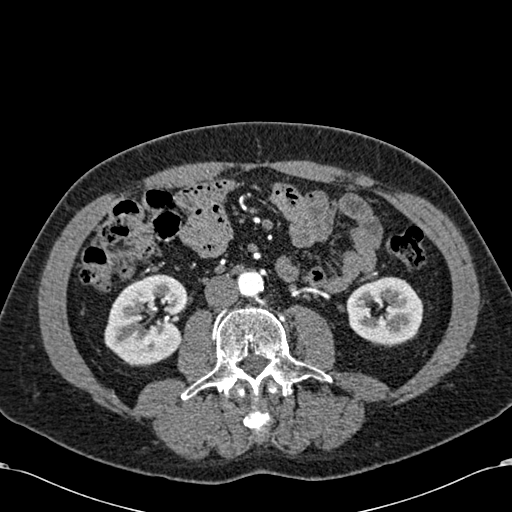
Arterial-phase contrast-enhanced abdominal CT, axial slice 274 of 581 (counted from the lowest slice); tube voltage 120 kVp, convolution kernel B30f; slices 1.00 mm thick, 0.713 mm per pixel.
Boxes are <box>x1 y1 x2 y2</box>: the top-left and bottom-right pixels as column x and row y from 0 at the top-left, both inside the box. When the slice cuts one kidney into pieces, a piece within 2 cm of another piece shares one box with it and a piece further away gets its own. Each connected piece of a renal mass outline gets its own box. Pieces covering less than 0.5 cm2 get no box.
Two boxes on this slice (two kidney boxes), listed by box centre from the image's left to its right. (1) At <box>104 274 186 364</box>: right kidney (outlined area 5,598 px, about 28.4 cm2). (2) At <box>346 276 423 346</box>: left kidney (outlined area 4,122 px, about 20.9 cm2). No renal mass is outlined on this slice.